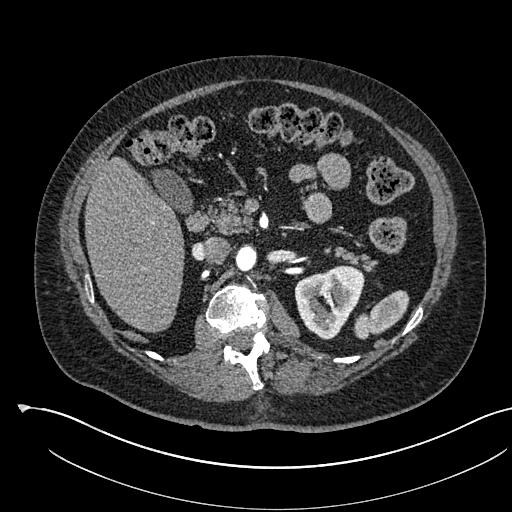
Abdominal CT with intravenous contrast, arterial phase, axial plane, 120 kVp, kernel I30f. Slice 355/541 from the bottom of the scan; thickness 1.00 mm; pixel size 0.834 mm.
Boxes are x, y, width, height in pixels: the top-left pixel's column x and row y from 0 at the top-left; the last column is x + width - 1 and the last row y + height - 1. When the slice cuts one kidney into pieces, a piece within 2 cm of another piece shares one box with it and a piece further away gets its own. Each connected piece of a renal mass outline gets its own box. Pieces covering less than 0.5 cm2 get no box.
Box x 294, y 265, width 71, height 75: left kidney (outlined area 3,613 px, about 25.1 cm2). No renal mass outline on this slice.